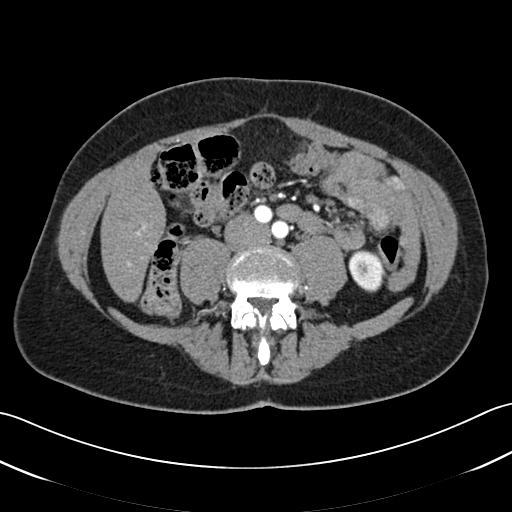
Axial slice 5 of 52 of a contrast-enhanced abdominal CT in the arterial phase (slice 1 is the lowest), 120 kVp, kernel B30f; 3.00 mm slice thickness and 0.678 mm pixels.
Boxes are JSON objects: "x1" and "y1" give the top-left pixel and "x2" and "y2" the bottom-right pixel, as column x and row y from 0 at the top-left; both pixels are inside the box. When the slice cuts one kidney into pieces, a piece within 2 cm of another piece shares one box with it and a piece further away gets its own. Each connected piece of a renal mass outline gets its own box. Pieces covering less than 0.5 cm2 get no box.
Left kidney at {"x1": 348, "y1": 249, "x2": 384, "y2": 292} (outlined area 1,196 px, about 5.5 cm2). No renal mass outline on this slice.